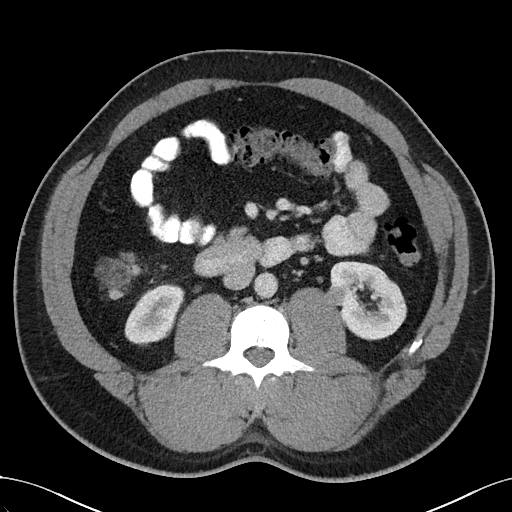
Abdominal CT with intravenous contrast, arterial phase, axial plane, 100 kVp, kernel I40f. Slice 62/102 from the bottom of the scan; thickness 5.00 mm; pixel size 0.781 mm.
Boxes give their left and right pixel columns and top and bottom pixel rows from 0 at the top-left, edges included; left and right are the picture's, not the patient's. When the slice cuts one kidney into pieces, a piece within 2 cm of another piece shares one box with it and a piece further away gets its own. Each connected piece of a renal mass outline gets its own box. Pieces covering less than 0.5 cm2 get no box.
Two kidney boxes and one renal mass box on this slice; by box centre, from the image's left to its right: (1) Box with left 124, top 283, right 184, bottom 345: right kidney (outlined area 2,571 px, about 15.7 cm2). (2) Left renal mass, the box with left 326, top 286, right 345, bottom 306 (outlined area 277 px, about 1.7 cm2). (3) Box with left 330, top 261, right 406, bottom 340: left kidney (outlined area 4,204 px, about 25.7 cm2).